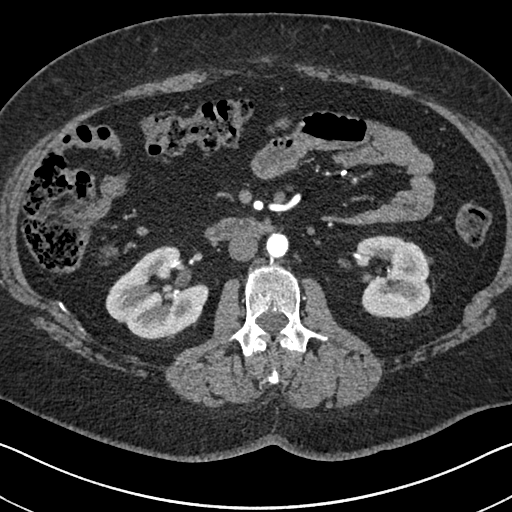
One axial slice (374 of 591, counting up from the lowest) of an arterial-phase abdominal CT acquired with 140 kVp, kernel I30f; each pixel is 0.703 mm and the slice is 1.00 mm thick.
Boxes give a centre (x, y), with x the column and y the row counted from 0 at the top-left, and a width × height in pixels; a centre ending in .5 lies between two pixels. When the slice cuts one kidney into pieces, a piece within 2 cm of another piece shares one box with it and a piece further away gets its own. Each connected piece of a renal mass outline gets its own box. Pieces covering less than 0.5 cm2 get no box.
Boxed on this slice (two kidney boxes), listed by box centre from the image's left to its right: (1) Box centre (157, 292.5), 105 × 94 pixels: right kidney (outlined area 6,338 px, about 31.3 cm2). (2) Left kidney, box centre (392, 276.5), 77 × 84 pixels (outlined area 4,892 px, about 24.2 cm2). No renal mass is outlined on this slice.